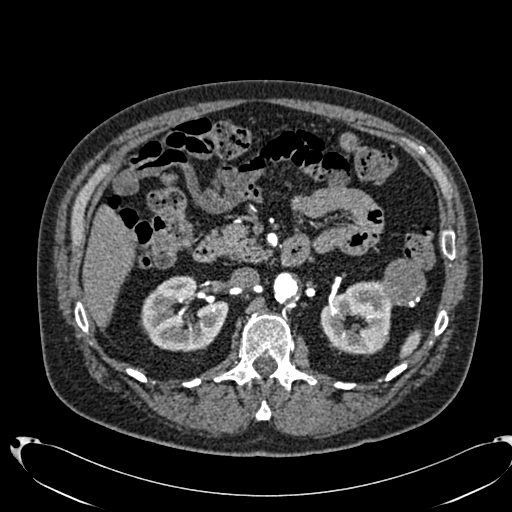
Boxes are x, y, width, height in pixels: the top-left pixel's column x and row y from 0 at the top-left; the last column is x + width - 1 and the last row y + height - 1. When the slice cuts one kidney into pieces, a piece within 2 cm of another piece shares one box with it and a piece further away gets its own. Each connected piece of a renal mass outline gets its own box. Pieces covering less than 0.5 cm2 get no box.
Arterial-phase contrast-enhanced abdominal CT, axial slice 439 of 553 (counted from the lowest slice); 1.00 mm thick, 0.773 mm per pixel. Two kidney boxes and one renal mass box on this slice; by box centre, from the image's left to its right: (1) Box x 140, y 275, width 89, height 77: right kidney (outlined area 4,820 px, about 28.8 cm2). (2) Box x 320, y 280, width 73, height 75: left kidney (outlined area 3,878 px, about 23.2 cm2). (3) Box x 381, y 258, width 45, height 50: left renal mass (outlined area 1,756 px, about 10.5 cm2).
Acquired at 120 kVp and reconstructed with the B20f kernel.